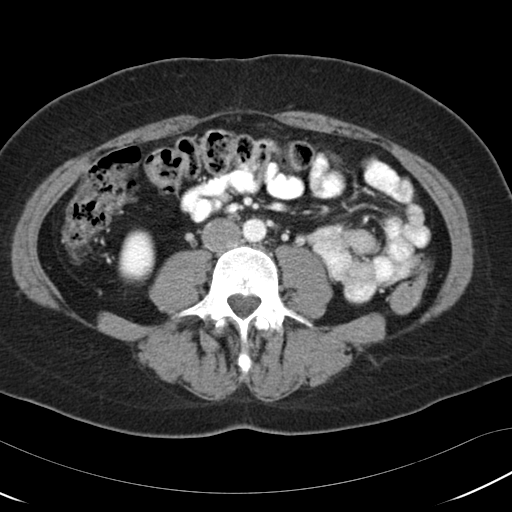
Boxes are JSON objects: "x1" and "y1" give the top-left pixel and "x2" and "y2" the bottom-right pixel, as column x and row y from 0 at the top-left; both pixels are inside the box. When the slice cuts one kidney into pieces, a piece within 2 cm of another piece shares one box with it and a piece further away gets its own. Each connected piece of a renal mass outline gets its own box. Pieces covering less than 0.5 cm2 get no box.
Contrast-enhanced abdominal CT, axial slice 52 of 97 (counted from the lowest slice); 5.00 mm thick, 0.664 mm per pixel. Right kidney, box {"x1": 118, "y1": 229, "x2": 155, "y2": 282} (outlined area 1,616 px, about 7.1 cm2). This slice carries no renal mass outline.
Scan settings: 120 kVp, B30f reconstruction kernel.